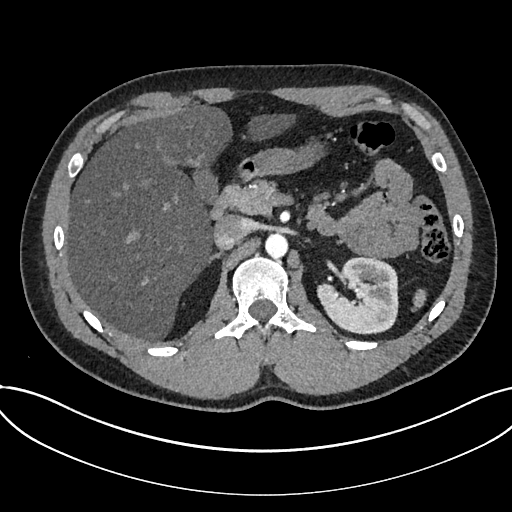
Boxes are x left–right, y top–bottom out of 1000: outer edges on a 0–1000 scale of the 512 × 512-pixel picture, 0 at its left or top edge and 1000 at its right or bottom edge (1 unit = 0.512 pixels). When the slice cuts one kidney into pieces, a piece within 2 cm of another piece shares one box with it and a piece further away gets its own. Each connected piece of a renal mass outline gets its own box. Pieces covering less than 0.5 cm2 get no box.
This is axial slice 488 of 735 (slice 1 is the lowest) of an arterial-phase abdominal CT with contrast; each pixel is 0.789 mm and the slice is 1.00 mm thick. Box x 619–779, y 500–654 out of 1000: kidney (outlined area 4,830 px, about 30.1 cm2). No renal mass outline on this slice.
Acquired at 120 kVp and reconstructed with the I30f kernel.